Axial slice 366 of 738 of a contrast-enhanced abdominal CT in the arterial phase (slice 1 is the lowest), 120 kVp, kernel I30f; 1.00 mm slice thickness and 0.789 mm pixels.
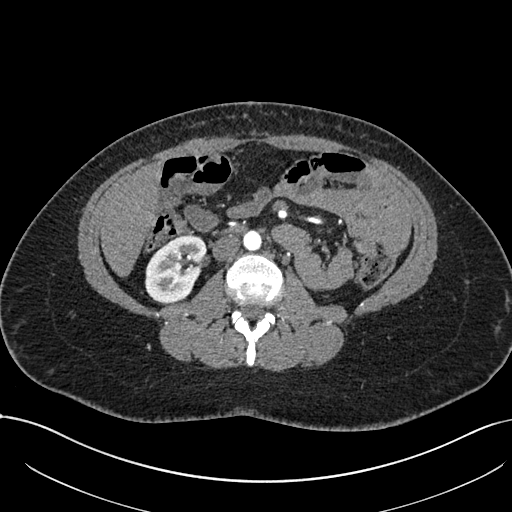
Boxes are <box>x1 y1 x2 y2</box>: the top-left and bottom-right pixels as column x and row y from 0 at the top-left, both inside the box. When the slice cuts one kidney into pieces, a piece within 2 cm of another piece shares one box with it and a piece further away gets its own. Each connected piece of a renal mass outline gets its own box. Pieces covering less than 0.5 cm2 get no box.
Right kidney: <box>145 235 206 302</box> (outlined area 3,072 px, about 19.1 cm2). No renal mass is outlined on this slice.